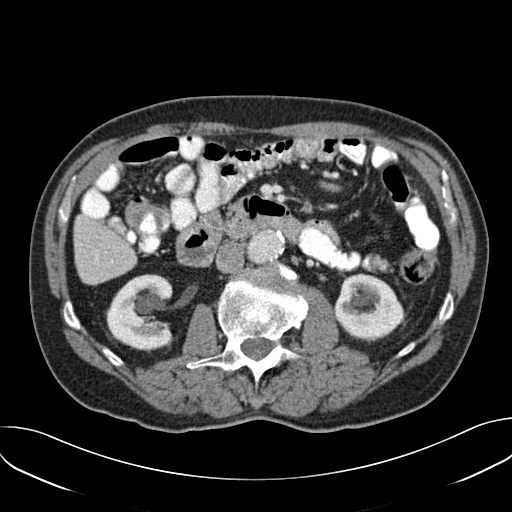
One axial slice (97 of 157, counting up from the lowest) of an arterial-phase abdominal CT acquired with 120 kVp, kernel B30f; each pixel is 0.742 mm and the slice is 3.00 mm thick.
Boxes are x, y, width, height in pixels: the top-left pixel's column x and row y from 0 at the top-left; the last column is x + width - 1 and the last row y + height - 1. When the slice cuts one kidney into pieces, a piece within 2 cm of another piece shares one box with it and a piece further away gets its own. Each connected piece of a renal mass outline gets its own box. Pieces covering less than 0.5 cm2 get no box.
Two kidney boxes on this slice; by box centre, from the image's left to its right: (1) Right kidney at x 106, y 274, width 68, height 77 (outlined area 3,907 px, about 21.5 cm2). (2) Left kidney, box x 334, y 273, width 71, height 69 (outlined area 3,555 px, about 19.6 cm2). No renal mass outline on this slice.